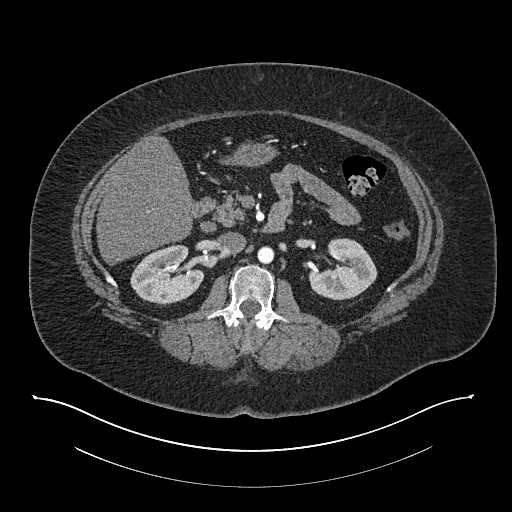
Abdominal CT with intravenous contrast, arterial phase, axial plane, 140 kVp, kernel I30f. Slice 468/673 from the bottom of the scan; thickness 1.00 mm; pixel size 0.957 mm.
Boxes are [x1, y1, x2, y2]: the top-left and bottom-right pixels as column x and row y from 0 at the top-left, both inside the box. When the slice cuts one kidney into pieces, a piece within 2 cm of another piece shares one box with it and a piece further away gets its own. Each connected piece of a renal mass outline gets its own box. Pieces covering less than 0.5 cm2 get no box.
Two boxes on this slice (two kidney boxes), listed by box centre from the image's left to its right. (1) Right kidney, box [130, 244, 204, 305] (outlined area 3,237 px, about 29.6 cm2). (2) Left kidney at [308, 238, 377, 300] (outlined area 2,983 px, about 27.3 cm2). This slice carries no renal mass outline.